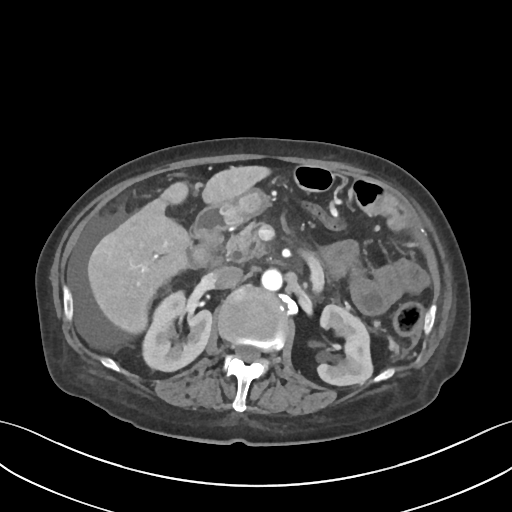
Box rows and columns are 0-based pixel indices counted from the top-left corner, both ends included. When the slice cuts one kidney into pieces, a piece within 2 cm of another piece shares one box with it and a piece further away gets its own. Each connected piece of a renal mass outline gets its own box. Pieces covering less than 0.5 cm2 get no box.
Contrast-enhanced abdominal CT, axial slice 46 of 109 (counted from the lowest slice); 3.00 mm thick, 0.742 mm per pixel. Two kidney boxes on this slice; by box centre, from the image's left to its right: (1) Right kidney at rows 290–372, columns 141–212 (outlined area 4,195 px, about 23.1 cm2). (2) Left kidney, box rows 305–386, columns 315–373 (outlined area 3,630 px, about 20.0 cm2). No renal mass is outlined on this slice.
Scan settings: 120 kVp, I30f reconstruction kernel.